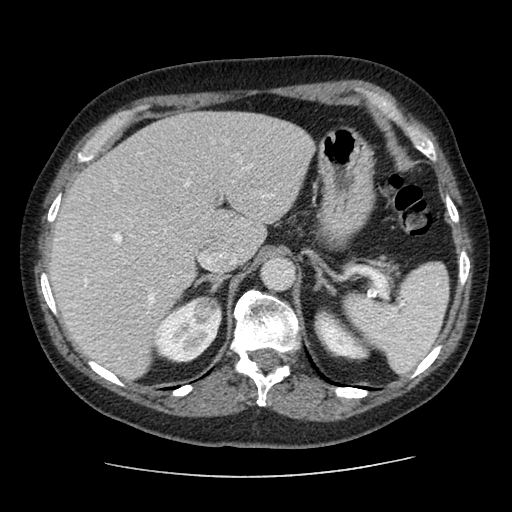
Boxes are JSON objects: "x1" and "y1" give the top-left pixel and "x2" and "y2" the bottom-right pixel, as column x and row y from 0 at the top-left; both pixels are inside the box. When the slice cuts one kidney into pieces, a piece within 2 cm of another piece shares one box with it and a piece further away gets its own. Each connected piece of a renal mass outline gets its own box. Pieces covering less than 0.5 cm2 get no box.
This is axial slice 73 of 96 (slice 1 is the lowest) of an arterial-phase abdominal CT with contrast; each pixel is 0.689 mm and the slice is 2.50 mm thick. Boxed on this slice (two kidney boxes and one renal mass box), listed by box centre from the image's left to its right: (1) Box {"x1": 153, "y1": 296, "x2": 222, "y2": 363}: right kidney (outlined area 2,756 px, about 13.1 cm2). (2) Right renal mass at {"x1": 192, "y1": 296, "x2": 220, "y2": 324} (outlined area 586 px, about 2.8 cm2). (3) Left kidney, box {"x1": 314, "y1": 307, "x2": 372, "y2": 362} (outlined area 1,814 px, about 8.6 cm2).
Tube voltage 120 kVp; convolution kernel STANDARD.